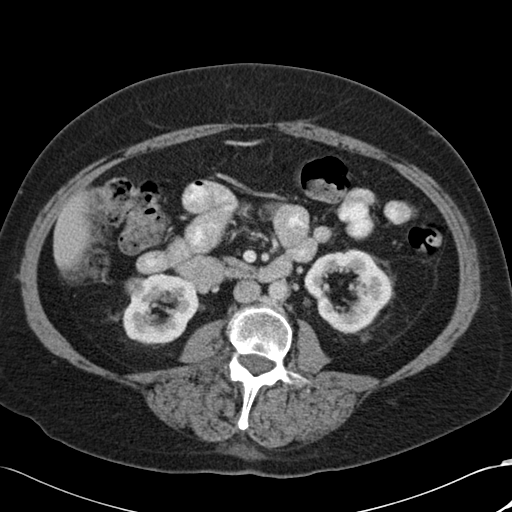
One axial slice (55 of 88, counting up from the lowest) of an arterial-phase abdominal CT acquired with 120 kVp, kernel B30f; each pixel is 0.691 mm and the slice is 5.00 mm thick.
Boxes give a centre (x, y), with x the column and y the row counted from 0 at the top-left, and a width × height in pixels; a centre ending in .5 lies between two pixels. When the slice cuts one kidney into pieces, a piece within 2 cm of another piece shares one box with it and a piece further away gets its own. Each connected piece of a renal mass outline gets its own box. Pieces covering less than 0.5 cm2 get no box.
Three boxes on this slice (two kidney boxes and one renal mass box), listed by box centre from the image's left to its right. (1) Right renal mass, box centre (137, 287.5), 25 × 22 pixels (outlined area 435 px, about 2.1 cm2). (2) Right kidney, box centre (160, 309), 77 × 71 pixels (outlined area 3,754 px, about 17.9 cm2). (3) Left kidney, box centre (348, 290.5), 89 × 86 pixels (outlined area 4,703 px, about 22.5 cm2).